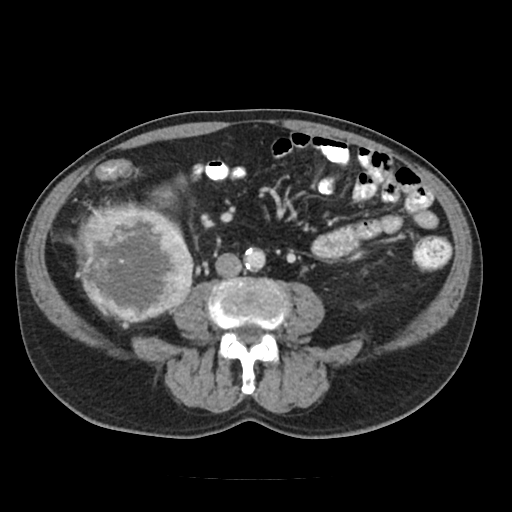
One axial slice (49 of 91, counting up from the lowest) of a contrast-enhanced abdominal CT acquired with 120 kVp, kernel FC18; each pixel is 0.766 mm and the slice is 5.00 mm thick.
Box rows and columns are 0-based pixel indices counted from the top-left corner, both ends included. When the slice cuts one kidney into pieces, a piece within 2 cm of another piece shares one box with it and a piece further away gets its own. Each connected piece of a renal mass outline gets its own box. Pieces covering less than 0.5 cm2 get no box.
Right renal mass at rows 204–323, columns 80–193 (outlined area 11,058 px, about 64.9 cm2); this slice has no kidney outline, though on another slice the same outlined renal mass lies within 1 cm of the kidney.